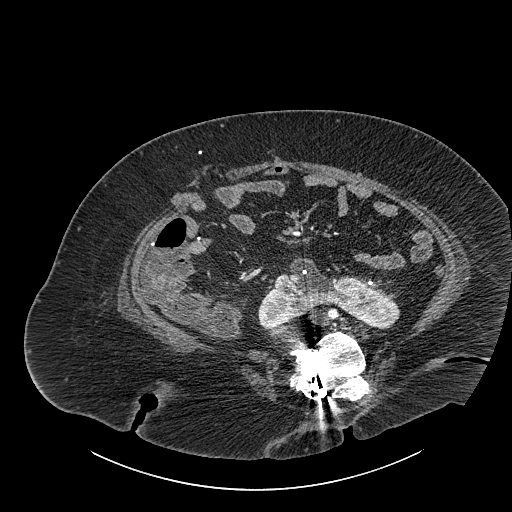
Contrast-enhanced abdominal CT, axial slice 458 of 834 (counted from the lowest slice); tube voltage 140 kVp, convolution kernel I30f; slices 1.00 mm thick, 0.977 mm per pixel.
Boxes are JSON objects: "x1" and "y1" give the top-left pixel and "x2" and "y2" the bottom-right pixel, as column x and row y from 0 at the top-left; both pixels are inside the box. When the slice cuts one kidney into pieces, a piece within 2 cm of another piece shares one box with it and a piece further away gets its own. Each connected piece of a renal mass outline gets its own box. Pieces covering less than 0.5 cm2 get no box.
Kidney crossing the body midline, box {"x1": 257, "y1": 257, "x2": 399, "y2": 329} (outlined area 5,583 px, about 53.2 cm2). No renal mass outline on this slice.